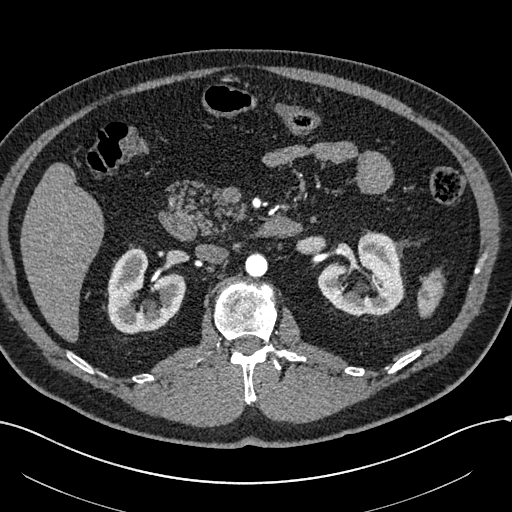
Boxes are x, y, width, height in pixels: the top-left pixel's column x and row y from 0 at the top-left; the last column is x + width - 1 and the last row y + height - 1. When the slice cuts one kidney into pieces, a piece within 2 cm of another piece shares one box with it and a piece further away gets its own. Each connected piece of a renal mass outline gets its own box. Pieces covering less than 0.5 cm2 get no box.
Arterial-phase contrast-enhanced abdominal CT, axial slice 357 of 602 (counted from the lowest slice); 1.00 mm thick, 0.799 mm per pixel. Two boxes on this slice (two kidney boxes), listed by box centre from the image's left to its right. (1) Right kidney at x 107, y 248, width 79, height 87 (outlined area 4,550 px, about 29.0 cm2). (2) Left kidney, box x 317, y 232, width 88, height 84 (outlined area 4,870 px, about 31.1 cm2). No renal mass is outlined on this slice.
Acquired at 120 kVp and reconstructed with the I30f kernel.